Arterial-phase contrast-enhanced abdominal CT, axial slice 169 of 233 (counted from the lowest slice); tube voltage 120 kVp, convolution kernel STANDARD; slices 1.25 mm thick, 0.703 mm per pixel.
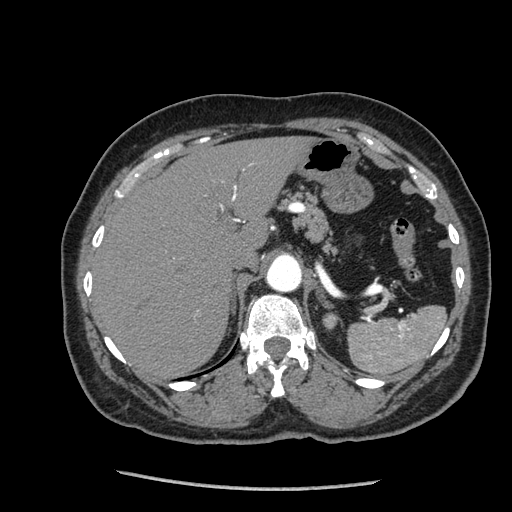
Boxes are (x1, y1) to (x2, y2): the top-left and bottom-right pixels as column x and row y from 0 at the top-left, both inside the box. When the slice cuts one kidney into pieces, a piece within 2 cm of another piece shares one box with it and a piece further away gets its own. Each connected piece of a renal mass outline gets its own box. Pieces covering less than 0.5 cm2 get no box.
Box (322, 312) to (338, 329): left kidney (outlined area 228 px, about 1.1 cm2). This slice carries no renal mass outline.